Axial slice 131 of 301 of a contrast-enhanced abdominal CT (slice 1 is the lowest), 120 kVp, kernel I40f; 2.00 mm slice thickness and 0.859 mm pixels.
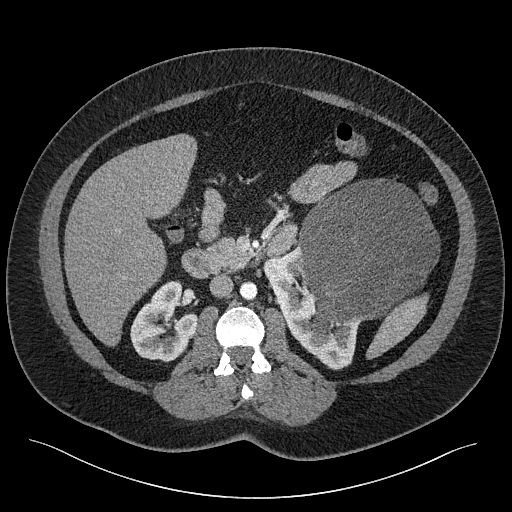
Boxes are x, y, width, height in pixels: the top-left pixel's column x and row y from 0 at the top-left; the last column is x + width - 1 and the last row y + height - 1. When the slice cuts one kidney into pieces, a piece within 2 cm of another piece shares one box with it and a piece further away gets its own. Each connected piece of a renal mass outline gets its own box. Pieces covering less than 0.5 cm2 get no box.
Boxed on this slice (two kidney boxes and one renal mass box), listed by box centre from the image's left to its right: (1) Box x 130, y 280, width 68, height 83: right kidney (outlined area 3,712 px, about 27.4 cm2). (2) Left kidney, box x 262, y 244, width 99, height 127 (outlined area 4,801 px, about 35.5 cm2). (3) Left renal mass at x 297, y 178, width 143, height 151 (outlined area 15,534 px, about 114.7 cm2).